Abdominal CT with intravenous contrast, axial plane, 140 kVp, kernel I30f. Slice 498/787 from the bottom of the scan; thickness 1.00 mm; pixel size 0.910 mm.
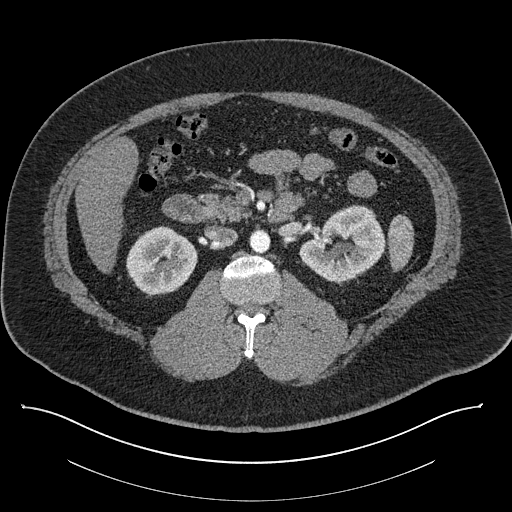
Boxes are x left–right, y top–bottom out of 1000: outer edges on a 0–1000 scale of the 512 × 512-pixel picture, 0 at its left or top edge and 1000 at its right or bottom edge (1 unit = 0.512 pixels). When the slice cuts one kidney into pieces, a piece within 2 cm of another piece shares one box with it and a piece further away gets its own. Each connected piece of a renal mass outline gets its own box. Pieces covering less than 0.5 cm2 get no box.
Boxed on this slice (two kidney boxes), listed by box centre from the image's left to its right: (1) Box x 246–387, y 439–580 out of 1000: right kidney (outlined area 3,738 px, about 31.0 cm2). (2) Left kidney, box x 584–756, y 398–553 out of 1000 (outlined area 4,584 px, about 38.0 cm2). No renal mass outline on this slice.